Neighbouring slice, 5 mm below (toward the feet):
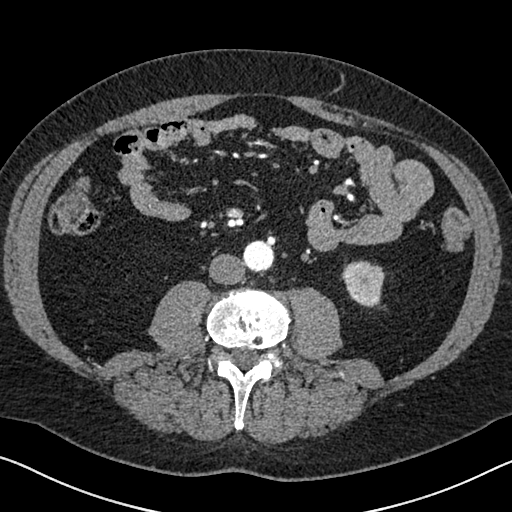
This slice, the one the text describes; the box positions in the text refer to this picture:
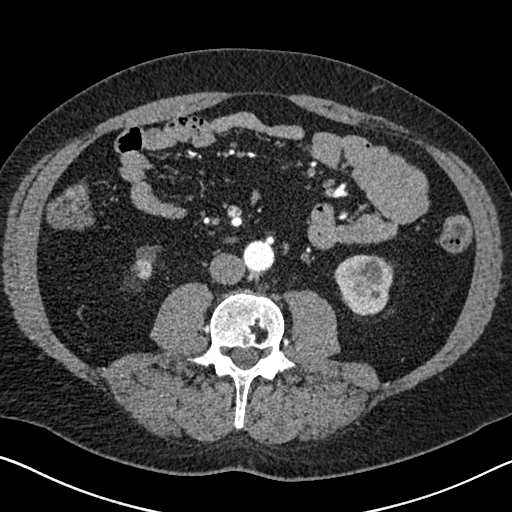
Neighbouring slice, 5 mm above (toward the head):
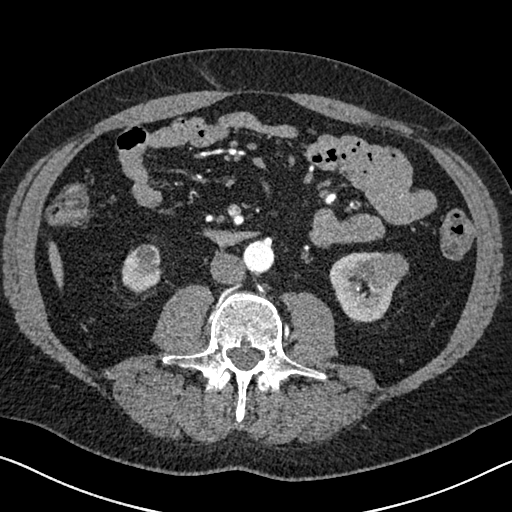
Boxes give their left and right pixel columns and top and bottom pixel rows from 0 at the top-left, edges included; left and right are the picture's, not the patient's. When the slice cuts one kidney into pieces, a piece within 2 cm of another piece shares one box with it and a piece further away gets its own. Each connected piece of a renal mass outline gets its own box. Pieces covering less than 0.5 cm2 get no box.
Slice 298/626 of a contrast-enhanced abdominal CT in the arterial phase, counting up from the lowest; pixel size 0.703 mm, slice thickness 1.00 mm. Three boxes on this slice (two kidney boxes and one renal mass box), listed by box centre from the image's left to its right. (1) Right kidney in the box with left 131, top 246, right 157, bottom 279 (outlined area 602 px, about 3.0 cm2). (2) Box with left 334, top 254, right 393, bottom 314: left kidney (outlined area 2,289 px, about 11.3 cm2). (3) Left renal mass, the box with left 358, top 258, right 387, bottom 283 (outlined area 518 px, about 2.6 cm2). This slice lies near the end of the left renal mass toward the feet; the slices 5 mm below and 5 mm above it are shown too, and the boxes mark positions on this slice only.
Acquired at 120 kVp and reconstructed with the I30f kernel.